One axial slice (121 of 234, counting up from the lowest) of an arterial-phase abdominal CT acquired with 100 kVp, kernel I40f; each pixel is 0.699 mm and the slice is 2.00 mm thick.
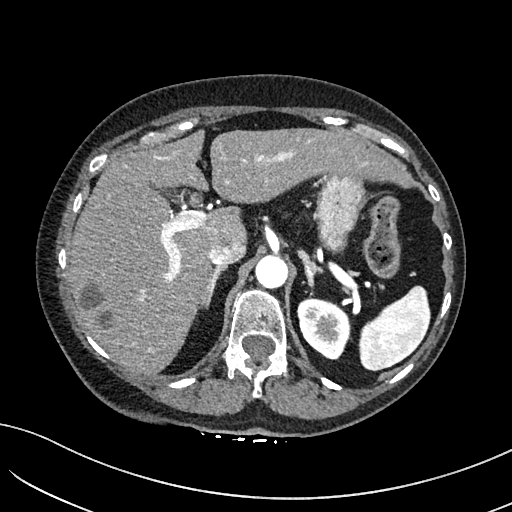
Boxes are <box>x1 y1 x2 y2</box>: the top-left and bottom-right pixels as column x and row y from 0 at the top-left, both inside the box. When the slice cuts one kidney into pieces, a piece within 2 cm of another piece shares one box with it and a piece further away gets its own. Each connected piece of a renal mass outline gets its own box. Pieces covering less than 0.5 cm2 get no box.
At <box>297 297 349 359</box>: left kidney (outlined area 2,461 px, about 12.0 cm2). No renal mass is outlined on this slice.